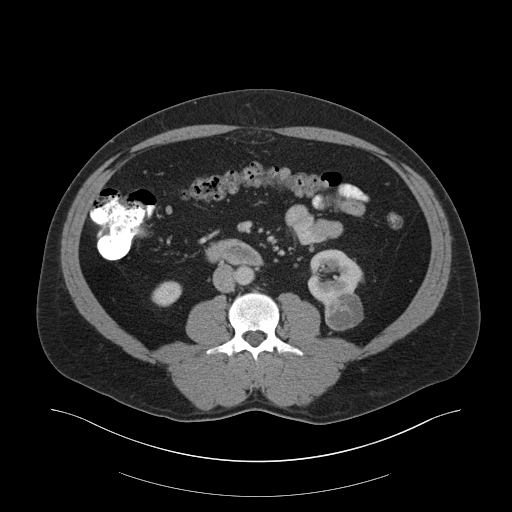
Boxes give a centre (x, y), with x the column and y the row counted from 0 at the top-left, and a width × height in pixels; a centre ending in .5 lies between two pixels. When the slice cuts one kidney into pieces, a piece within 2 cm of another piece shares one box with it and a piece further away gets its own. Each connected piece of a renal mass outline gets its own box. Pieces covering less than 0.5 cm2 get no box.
Arterial-phase contrast-enhanced abdominal CT, axial slice 92 of 159 (counted from the lowest slice); 3.00 mm thick, 0.977 mm per pixel. Boxed on this slice (two kidney boxes and one renal mass box), listed by box centre from the image's left to its right: (1) Box centre (166.5, 293.5), 32 × 26 pixels: right kidney (outlined area 603 px, about 5.8 cm2). (2) Box centre (334.5, 278), 56 × 59 pixels: left kidney (outlined area 2,180 px, about 20.8 cm2). (3) Left renal mass, box centre (343.5, 312), 40 × 37 pixels (outlined area 1,136 px, about 10.8 cm2).
Scan settings: 140 kVp, B30f reconstruction kernel.